Axial slice 236 of 602 of a contrast-enhanced abdominal CT in the arterial phase (slice 1 is the lowest), 120 kVp, kernel I30f; 1.00 mm slice thickness and 0.799 mm pixels.
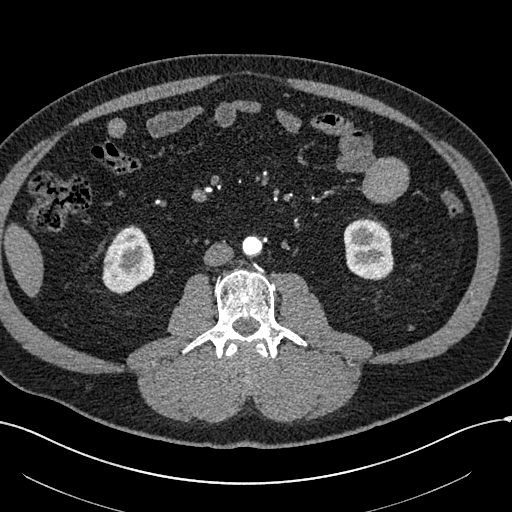
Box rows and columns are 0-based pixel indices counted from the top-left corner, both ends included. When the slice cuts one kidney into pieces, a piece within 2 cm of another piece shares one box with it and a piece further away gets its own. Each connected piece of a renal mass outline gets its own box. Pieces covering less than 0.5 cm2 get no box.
Boxed on this slice (two kidney boxes and one renal mass box), listed by box centre from the image's left to its right: (1) Box rows 254–269, columns 103–120: right renal mass (outlined area 220 px, about 1.4 cm2). (2) Right kidney, box rows 225–294, columns 102–155 (outlined area 2,453 px, about 15.7 cm2). (3) Box rows 218–280, columns 343–393: left kidney (outlined area 2,582 px, about 16.5 cm2).